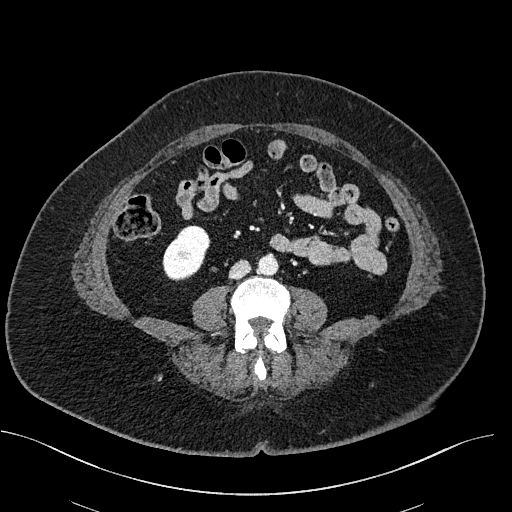
One axial slice (245 of 470, counting up from the lowest) of a contrast-enhanced abdominal CT acquired with 100 kVp, kernel I40f; each pixel is 0.824 mm and the slice is 2.00 mm thick.
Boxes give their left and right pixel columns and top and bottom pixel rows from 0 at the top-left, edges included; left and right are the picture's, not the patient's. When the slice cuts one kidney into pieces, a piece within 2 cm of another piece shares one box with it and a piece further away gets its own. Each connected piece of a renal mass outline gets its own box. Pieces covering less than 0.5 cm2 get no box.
Box with left 162, top 225, right 210, bottom 281: right kidney (outlined area 1,887 px, about 12.8 cm2). No renal mass outline on this slice.